Axial slice 33 of 53 of a contrast-enhanced abdominal CT in the arterial phase (slice 1 is the lowest), 120 kVp, kernel STANDARD; 5.00 mm slice thickness and 0.703 mm pixels.
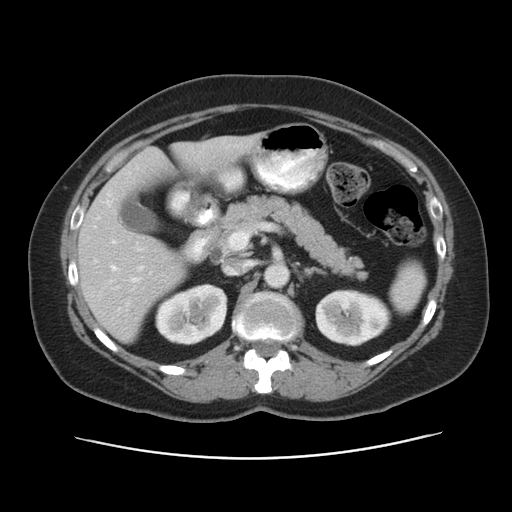
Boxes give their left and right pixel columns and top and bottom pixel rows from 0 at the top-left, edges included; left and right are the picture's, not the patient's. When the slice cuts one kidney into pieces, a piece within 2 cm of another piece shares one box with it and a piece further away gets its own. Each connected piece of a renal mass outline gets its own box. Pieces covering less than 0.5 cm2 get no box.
Two boxes on this slice (two kidney boxes), listed by box centre from the image's left to its right. (1) Right kidney, the box with left 155, top 283, right 227, bottom 345 (outlined area 3,442 px, about 17.0 cm2). (2) Left kidney in the box with left 315, top 289, right 391, bottom 346 (outlined area 3,383 px, about 16.7 cm2). No renal mass outline on this slice.